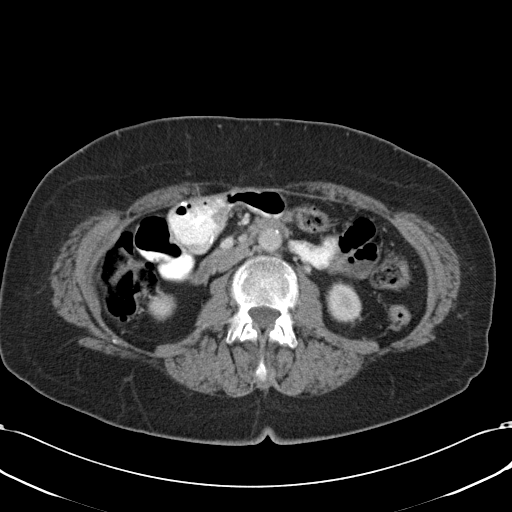
Abdominal CT with intravenous contrast, axial plane, 120 kVp, kernel B31f. Slice 54/90 from the bottom of the scan; thickness 5.00 mm; pixel size 0.707 mm.
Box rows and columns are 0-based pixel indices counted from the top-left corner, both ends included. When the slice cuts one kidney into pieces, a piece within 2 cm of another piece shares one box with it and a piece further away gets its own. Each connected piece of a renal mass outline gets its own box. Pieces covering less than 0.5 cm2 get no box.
Two kidney boxes on this slice; by box centre, from the image's left to its right: (1) Box rows 293–319, columns 148–175: right kidney (outlined area 545 px, about 2.7 cm2). (2) Left kidney at rows 286–320, columns 328–361 (outlined area 935 px, about 4.7 cm2). This slice carries no renal mass outline.